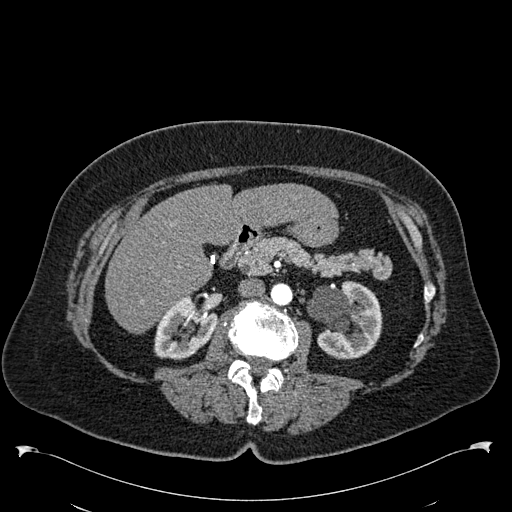
Arterial-phase contrast-enhanced abdominal CT, axial slice 330 of 538 (counted from the lowest slice); tube voltage 120 kVp, convolution kernel B30f; slices 1.00 mm thick, 0.811 mm per pixel.
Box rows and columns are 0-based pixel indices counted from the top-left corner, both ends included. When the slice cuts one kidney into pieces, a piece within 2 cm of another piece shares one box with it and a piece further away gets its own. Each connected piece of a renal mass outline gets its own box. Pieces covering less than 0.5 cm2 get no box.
Two kidney boxes on this slice; by box centre, from the image's left to its right: (1) Right kidney, box rows 301–360, columns 154–217 (outlined area 2,671 px, about 17.5 cm2). (2) Box rows 281–359, columns 307–382: left kidney (outlined area 4,380 px, about 28.8 cm2). This slice carries no renal mass outline.